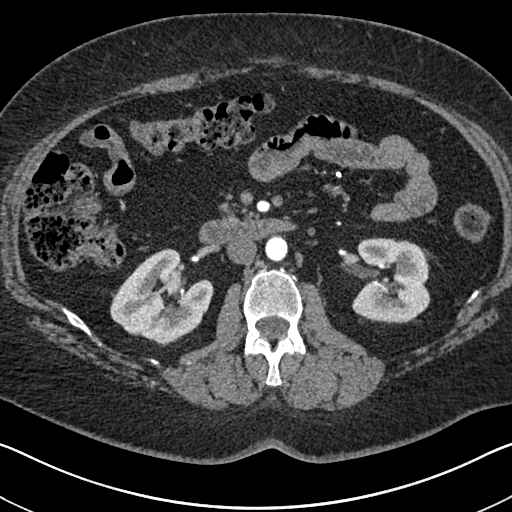
Arterial-phase contrast-enhanced abdominal CT, axial slice 387 of 591 (counted from the lowest slice); tube voltage 140 kVp, convolution kernel I30f; slices 1.00 mm thick, 0.703 mm per pixel.
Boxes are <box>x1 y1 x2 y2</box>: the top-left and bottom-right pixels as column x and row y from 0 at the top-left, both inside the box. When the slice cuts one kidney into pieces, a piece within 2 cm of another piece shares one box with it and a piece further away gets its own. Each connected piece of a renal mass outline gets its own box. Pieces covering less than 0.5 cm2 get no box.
Two boxes on this slice (two kidney boxes), listed by box centre from the image's left to its right. (1) Right kidney: <box>110 248 212 341</box> (outlined area 6,317 px, about 31.2 cm2). (2) At <box>352 237 430 322</box>: left kidney (outlined area 5,450 px, about 26.9 cm2). No renal mass outline on this slice.